Axial slice 389 of 723 of a contrast-enhanced abdominal CT in the arterial phase (slice 1 is the lowest), 120 kVp, kernel B30f; 1.00 mm slice thickness and 0.895 mm pixels.
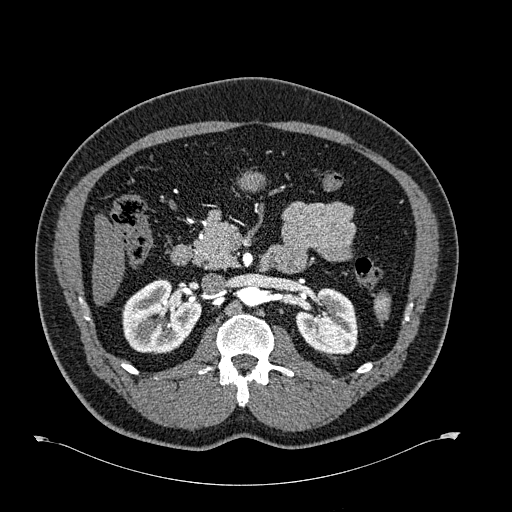
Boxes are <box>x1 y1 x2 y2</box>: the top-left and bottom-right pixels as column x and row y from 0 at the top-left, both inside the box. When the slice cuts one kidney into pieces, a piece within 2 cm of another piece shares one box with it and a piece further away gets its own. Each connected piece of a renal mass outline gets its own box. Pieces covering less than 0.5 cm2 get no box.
Two kidney boxes on this slice; by box centre, from the image's left to its right: (1) Right kidney at <box>122 279 201 354</box> (outlined area 4,409 px, about 35.3 cm2). (2) At <box>295 288 357 354</box>: left kidney (outlined area 3,135 px, about 25.1 cm2). No renal mass is outlined on this slice.